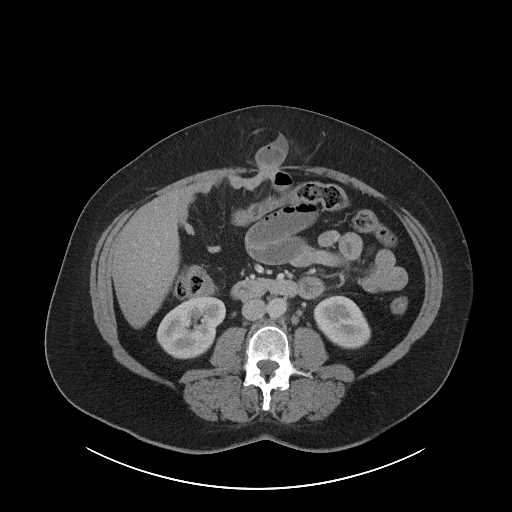
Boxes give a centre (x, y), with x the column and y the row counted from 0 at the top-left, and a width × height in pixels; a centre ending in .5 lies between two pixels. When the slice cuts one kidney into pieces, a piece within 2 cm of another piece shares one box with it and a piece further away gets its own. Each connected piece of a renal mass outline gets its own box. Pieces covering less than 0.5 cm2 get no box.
Slice 48/86 of a contrast-enhanced abdominal CT in the arterial phase, counting up from the lowest; pixel size 0.977 mm, slice thickness 5.00 mm. Two kidney boxes on this slice; by box centre, from the image's left to its right: (1) Box centre (190.5, 327.5), 70 × 62 pixels: right kidney (outlined area 3,137 px, about 29.9 cm2). (2) Left kidney in a box with centre (341.5, 321.5), 58 × 54 pixels (outlined area 2,246 px, about 21.4 cm2). No renal mass is outlined on this slice.
Scan settings: 120 kVp, I40f reconstruction kernel.